One axial slice (213 of 349, counting up from the lowest) of an arterial-phase abdominal CT acquired with 120 kVp, kernel STANDARD; each pixel is 0.742 mm and the slice is 1.25 mm thick.
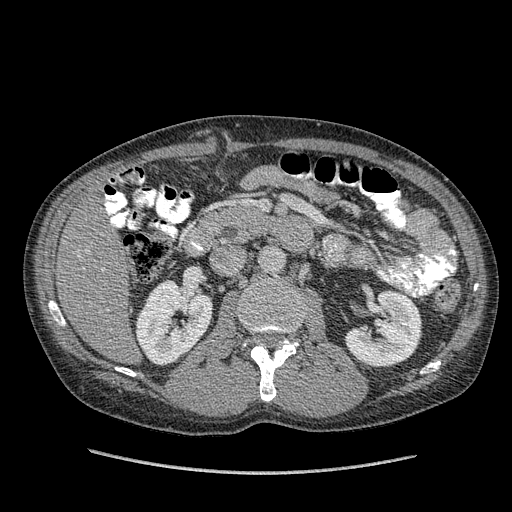
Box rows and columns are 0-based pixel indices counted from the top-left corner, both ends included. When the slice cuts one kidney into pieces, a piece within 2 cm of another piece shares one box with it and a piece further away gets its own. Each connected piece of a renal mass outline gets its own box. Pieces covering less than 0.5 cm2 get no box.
Two kidney boxes on this slice; by box centre, from the image's left to its right: (1) Right kidney, box rows 278–365, columns 135–213 (outlined area 4,776 px, about 26.3 cm2). (2) Left kidney at rows 290–367, columns 345–421 (outlined area 4,232 px, about 23.3 cm2). This slice carries no renal mass outline.